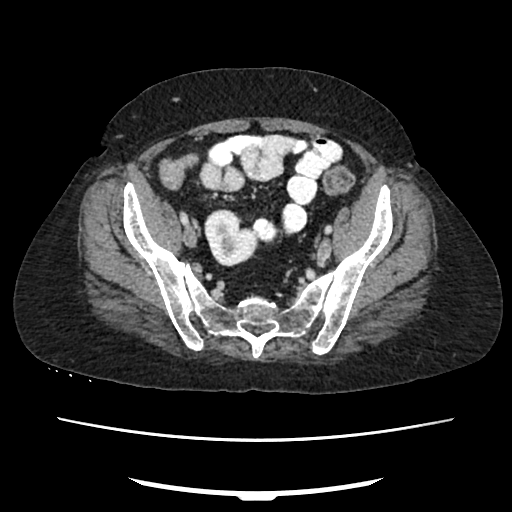
One axial slice (63 of 207, counting up from the lowest) of an arterial-phase abdominal CT acquired with 120 kVp, kernel FC18; each pixel is 0.741 mm and the slice is 2.00 mm thick.
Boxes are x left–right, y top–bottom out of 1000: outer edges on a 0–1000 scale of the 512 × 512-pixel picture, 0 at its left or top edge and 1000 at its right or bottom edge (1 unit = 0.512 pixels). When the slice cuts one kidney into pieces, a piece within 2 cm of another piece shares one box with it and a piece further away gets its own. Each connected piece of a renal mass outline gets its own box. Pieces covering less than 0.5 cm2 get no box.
Right kidney, box x 398–506, y 408–521 out of 1000 (outlined area 2,257 px, about 12.4 cm2). This slice carries no renal mass outline.